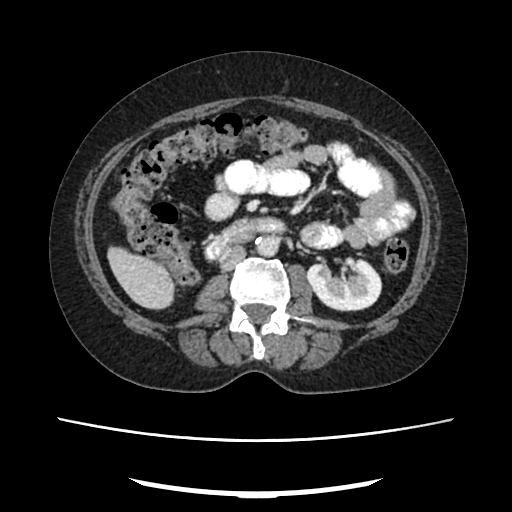
Arterial-phase contrast-enhanced abdominal CT, axial slice 125 of 207 (counted from the lowest slice); tube voltage 120 kVp, convolution kernel FC18; slices 2.00 mm thick, 0.741 mm per pixel.
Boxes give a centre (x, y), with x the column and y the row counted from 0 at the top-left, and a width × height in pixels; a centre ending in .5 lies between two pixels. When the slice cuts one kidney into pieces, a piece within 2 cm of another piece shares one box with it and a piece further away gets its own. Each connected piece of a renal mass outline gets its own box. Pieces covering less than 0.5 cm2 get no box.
Left kidney, box centre (344, 284.5), 77 × 54 pixels (outlined area 3,117 px, about 17.1 cm2). No renal mass outline on this slice.